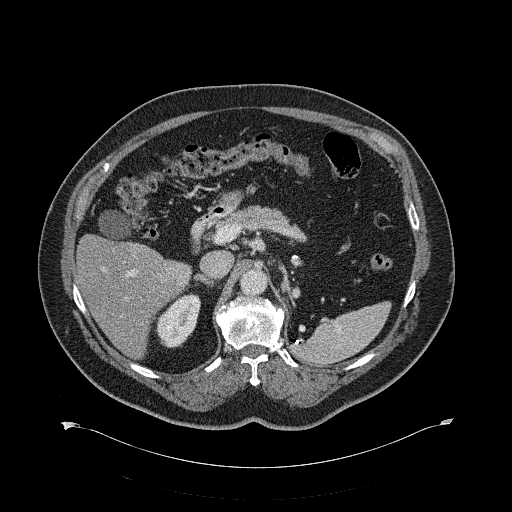
One axial slice (418 of 734, counting up from the lowest) of a contrast-enhanced abdominal CT acquired with 120 kVp, kernel B31f; each pixel is 0.971 mm and the slice is 2.00 mm thick.
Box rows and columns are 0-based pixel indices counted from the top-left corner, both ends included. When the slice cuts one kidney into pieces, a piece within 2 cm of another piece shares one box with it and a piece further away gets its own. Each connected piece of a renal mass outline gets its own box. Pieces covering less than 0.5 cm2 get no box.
Box rows 293–347, columns 156–200: right kidney (outlined area 1,677 px, about 15.8 cm2). No renal mass is outlined on this slice.